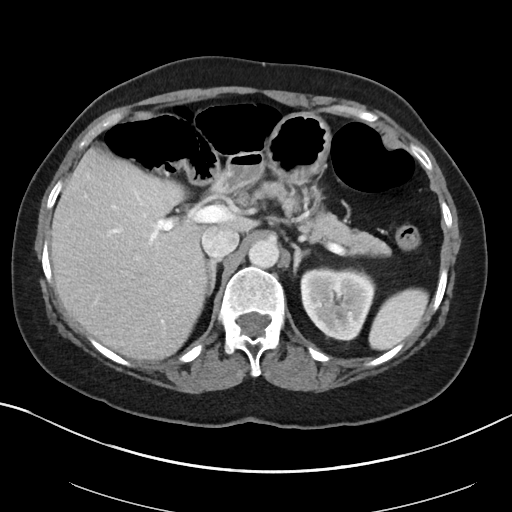
Axial slice 67 of 88 of a contrast-enhanced abdominal CT in the arterial phase (slice 1 is the lowest), 100 kVp, kernel I40f; 5.00 mm slice thickness and 0.705 mm pixels.
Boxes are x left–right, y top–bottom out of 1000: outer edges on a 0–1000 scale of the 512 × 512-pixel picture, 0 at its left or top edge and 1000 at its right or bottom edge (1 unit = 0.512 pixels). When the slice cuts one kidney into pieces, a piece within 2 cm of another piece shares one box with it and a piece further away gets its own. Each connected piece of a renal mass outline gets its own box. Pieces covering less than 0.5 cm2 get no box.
Left kidney at x 586–734, y 520–668 out of 1000 (outlined area 4,350 px, about 21.6 cm2). This slice carries no renal mass outline.